Abdominal CT with intravenous contrast, arterial phase, axial plane, 120 kVp, kernel STANDARD. Slice 141/262 from the bottom of the scan; thickness 2.50 mm; pixel size 0.703 mm.
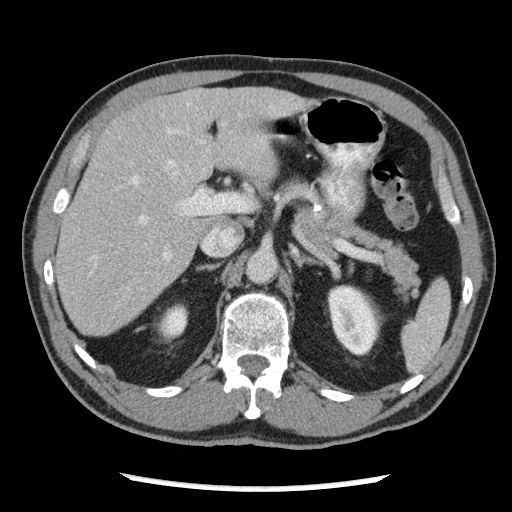
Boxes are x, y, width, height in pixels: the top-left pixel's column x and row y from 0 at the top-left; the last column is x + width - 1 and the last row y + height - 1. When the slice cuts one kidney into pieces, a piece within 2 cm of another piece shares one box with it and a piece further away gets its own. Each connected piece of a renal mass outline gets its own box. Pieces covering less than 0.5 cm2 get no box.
Boxed on this slice (two kidney boxes), listed by box centre from the image's left to its right: (1) Right kidney, box x 157, y 303, width 33, height 38 (outlined area 886 px, about 4.4 cm2). (2) Left kidney at x 327, y 284, width 54, height 73 (outlined area 2,882 px, about 14.2 cm2). This slice carries no renal mass outline.